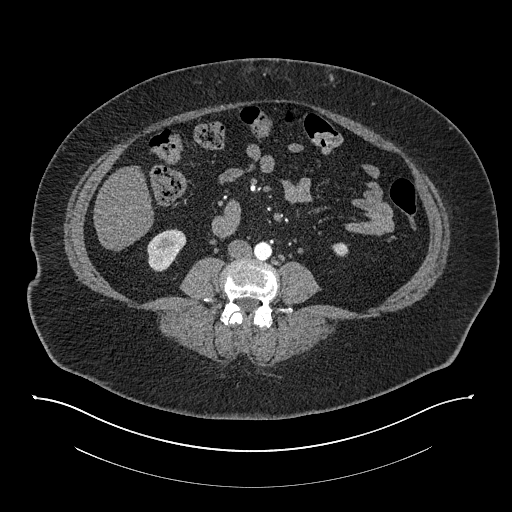
One axial slice (343 of 673, counting up from the lowest) of an arterial-phase abdominal CT acquired with 140 kVp, kernel I30f; each pixel is 0.957 mm and the slice is 1.00 mm thick.
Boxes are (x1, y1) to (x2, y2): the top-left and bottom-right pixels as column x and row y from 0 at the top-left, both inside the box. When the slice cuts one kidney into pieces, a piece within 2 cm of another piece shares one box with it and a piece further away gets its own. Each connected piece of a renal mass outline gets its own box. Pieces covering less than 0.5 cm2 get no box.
Two boxes on this slice (two kidney boxes), listed by box centre from the image's left to its right. (1) Right kidney from (147, 228) to (186, 271) (outlined area 1,195 px, about 10.9 cm2). (2) Left kidney from (332, 242) to (348, 256) (outlined area 190 px, about 1.7 cm2). This slice carries no renal mass outline.